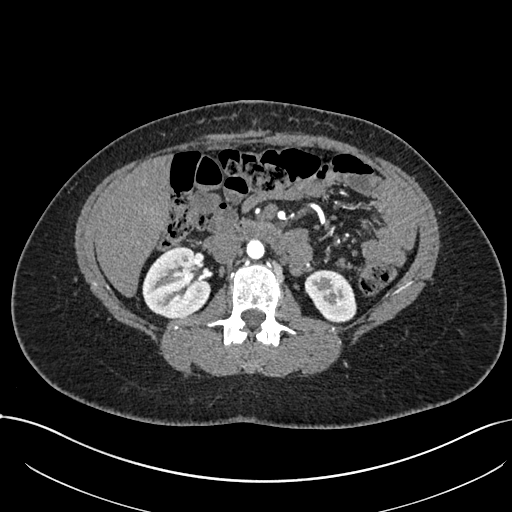
Abdominal CT with intravenous contrast, arterial phase, axial plane, 120 kVp, kernel I30f. Slice 409/738 from the bottom of the scan; thickness 1.00 mm; pixel size 0.789 mm.
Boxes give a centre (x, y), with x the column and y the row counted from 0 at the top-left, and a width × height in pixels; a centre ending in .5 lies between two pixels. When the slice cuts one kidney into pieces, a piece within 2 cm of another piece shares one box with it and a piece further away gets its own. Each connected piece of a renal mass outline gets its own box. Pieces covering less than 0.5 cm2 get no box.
Boxed on this slice (two kidney boxes), listed by box centre from the image's left to its right: (1) Box centre (176, 282), 69 × 73 pixels: right kidney (outlined area 3,679 px, about 22.9 cm2). (2) Left kidney in a box with centre (330, 296), 53 × 55 pixels (outlined area 2,062 px, about 12.8 cm2). No renal mass outline on this slice.